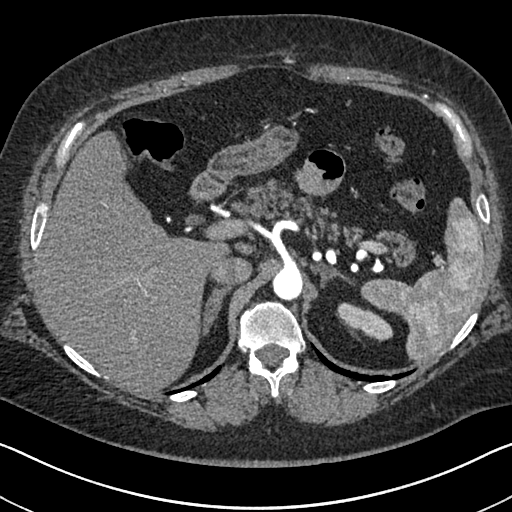
Arterial-phase contrast-enhanced abdominal CT, axial slice 507 of 591 (counted from the lowest slice); tube voltage 140 kVp, convolution kernel I30f; slices 1.00 mm thick, 0.703 mm per pixel.
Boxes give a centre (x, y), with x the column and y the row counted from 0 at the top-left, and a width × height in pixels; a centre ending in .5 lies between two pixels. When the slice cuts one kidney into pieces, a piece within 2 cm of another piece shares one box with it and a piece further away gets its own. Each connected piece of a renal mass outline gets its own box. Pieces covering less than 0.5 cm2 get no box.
Left kidney in a box with centre (365, 321), 57 × 39 pixels (outlined area 1,218 px, about 6.0 cm2). No renal mass outline on this slice.